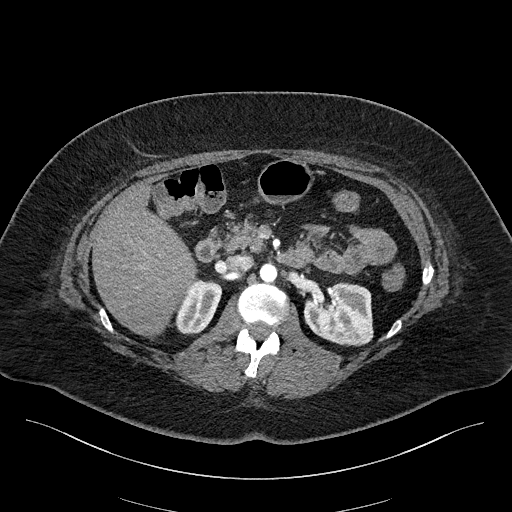
One axial slice (120 of 270, counting up from the lowest) of an arterial-phase abdominal CT acquired with 100 kVp, kernel I40f; each pixel is 0.855 mm and the slice is 2.00 mm thick.
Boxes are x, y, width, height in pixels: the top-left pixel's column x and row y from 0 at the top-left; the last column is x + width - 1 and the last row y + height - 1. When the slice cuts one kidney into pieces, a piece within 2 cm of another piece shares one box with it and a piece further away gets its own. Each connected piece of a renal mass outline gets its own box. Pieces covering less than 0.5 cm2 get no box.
Two kidney boxes on this slice; by box centre, from the image's left to its right: (1) Right kidney at x 175, y 279, width 48, height 56 (outlined area 1,836 px, about 13.4 cm2). (2) Left kidney at x 303, y 282, width 71, height 65 (outlined area 3,543 px, about 25.9 cm2). No renal mass is outlined on this slice.